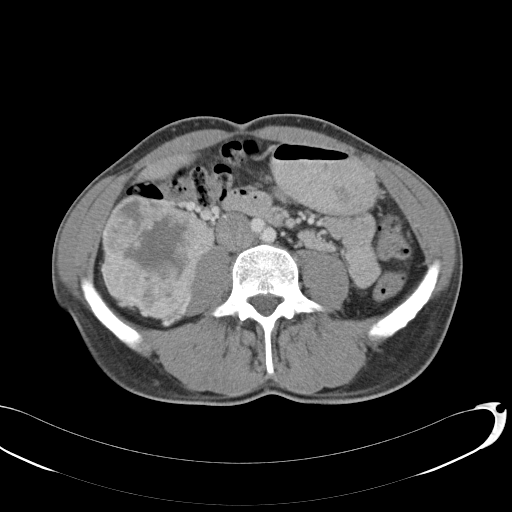
Abdominal CT with intravenous contrast, axial plane, 120 kVp, kernel B31f. Slice 53/146 from the bottom of the scan; thickness 5.00 mm; pixel size 0.742 mm.
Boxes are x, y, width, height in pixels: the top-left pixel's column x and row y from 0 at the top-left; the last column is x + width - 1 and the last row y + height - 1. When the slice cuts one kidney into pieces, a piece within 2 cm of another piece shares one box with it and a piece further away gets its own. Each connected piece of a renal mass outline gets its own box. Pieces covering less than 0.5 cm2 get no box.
Right renal mass, box x 100, y 194, width 115, height 126 (outlined area 10,219 px, about 56.3 cm2); this slice has no kidney outline, though on another slice the same outlined renal mass lies within 1 cm of the kidney.